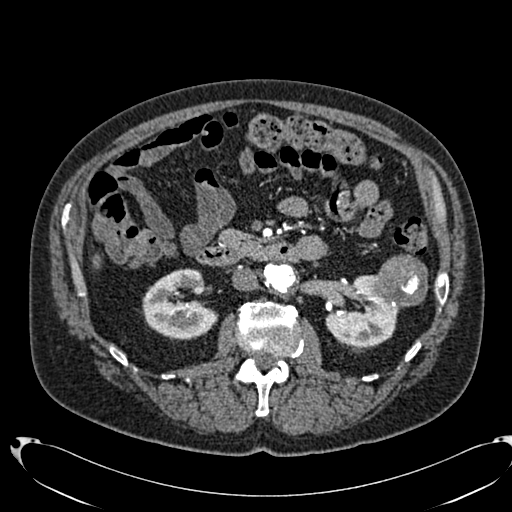
Abdominal CT with intravenous contrast, arterial phase, axial plane, 120 kVp, kernel B20f. Slice 403/553 from the bottom of the scan; thickness 1.00 mm; pixel size 0.773 mm.
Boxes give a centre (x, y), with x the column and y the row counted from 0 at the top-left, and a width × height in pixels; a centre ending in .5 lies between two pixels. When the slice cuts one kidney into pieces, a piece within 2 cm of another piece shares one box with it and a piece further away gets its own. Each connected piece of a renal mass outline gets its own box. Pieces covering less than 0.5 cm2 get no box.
Boxed on this slice (two kidney boxes and one renal mass box), listed by box centre from the image's left to its right: (1) Box centre (180, 303.5), 77 × 72 pixels: right kidney (outlined area 3,788 px, about 22.7 cm2). (2) Left kidney in a box with centre (362, 311), 75 × 73 pixels (outlined area 3,307 px, about 19.8 cm2). (3) Left renal mass, box centre (398, 281), 59 × 55 pixels (outlined area 2,403 px, about 14.4 cm2).